One axial slice (382 of 673, counting up from the lowest) of an arterial-phase abdominal CT acquired with 120 kVp, kernel I30f; each pixel is 0.855 mm and the slice is 1.00 mm thick.
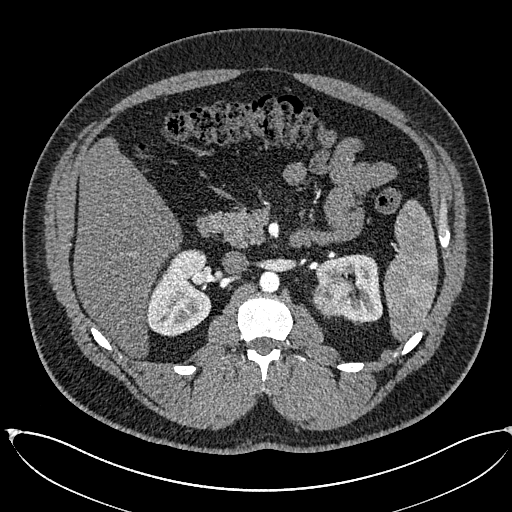
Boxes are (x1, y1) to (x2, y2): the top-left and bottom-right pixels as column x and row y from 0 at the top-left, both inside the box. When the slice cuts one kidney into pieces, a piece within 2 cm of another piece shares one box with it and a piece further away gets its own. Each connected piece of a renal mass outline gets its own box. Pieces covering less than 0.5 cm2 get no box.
Three boxes on this slice (two kidney boxes and one renal mass box), listed by box centre from the image's left to its right. (1) Box (147, 249) to (211, 336): right kidney (outlined area 4,166 px, about 30.5 cm2). (2) Left renal mass from (312, 277) to (355, 316) (outlined area 1,451 px, about 10.6 cm2). (3) Left kidney, box (316, 254) to (382, 323) (outlined area 2,487 px, about 18.2 cm2).